Abdominal CT with intravenous contrast, arterial phase, axial plane, 120 kVp, kernel I30f. Slice 485/735 from the bottom of the scan; thickness 1.00 mm; pixel size 0.789 mm.
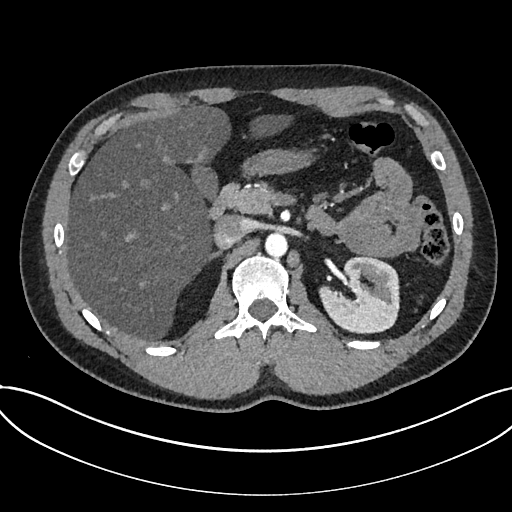
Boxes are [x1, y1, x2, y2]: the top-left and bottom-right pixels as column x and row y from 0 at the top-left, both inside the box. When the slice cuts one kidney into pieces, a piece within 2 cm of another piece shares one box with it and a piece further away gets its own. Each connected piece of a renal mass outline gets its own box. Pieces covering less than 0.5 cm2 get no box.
Box [319, 254, 399, 334]: kidney (outlined area 4,746 px, about 29.5 cm2). This slice carries no renal mass outline.